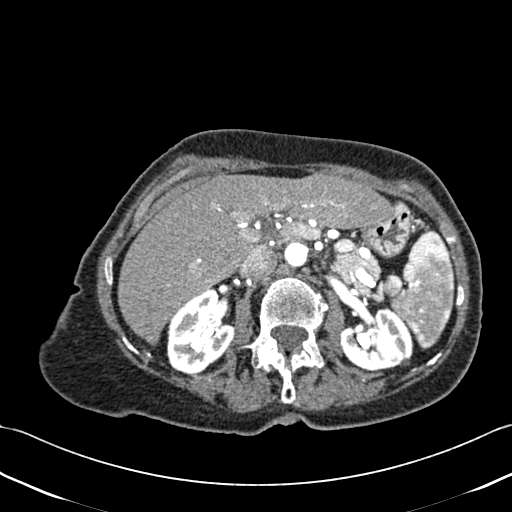
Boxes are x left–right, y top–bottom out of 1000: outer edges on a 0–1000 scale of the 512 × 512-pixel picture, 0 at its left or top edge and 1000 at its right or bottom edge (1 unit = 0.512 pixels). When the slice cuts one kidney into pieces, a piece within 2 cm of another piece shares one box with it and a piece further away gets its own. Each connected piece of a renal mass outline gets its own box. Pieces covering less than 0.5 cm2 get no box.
Slice 274/433 of a contrast-enhanced abdominal CT, counting up from the lowest; pixel size 0.672 mm, slice thickness 1.00 mm. Boxed on this slice (two kidney boxes), listed by box centre from the image's left to its right: (1) Right kidney at x 324–461, y 564–732 out of 1000 (outlined area 4,154 px, about 18.8 cm2). (2) Box x 664–809, y 602–727 out of 1000: left kidney (outlined area 3,487 px, about 15.7 cm2). This slice carries no renal mass outline.
Scan settings: 120 kVp, B30f reconstruction kernel.